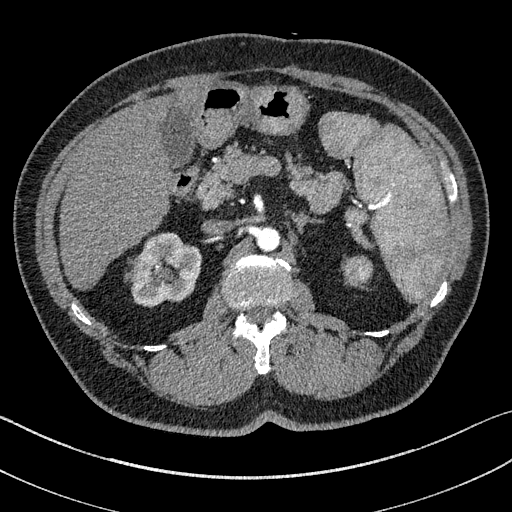
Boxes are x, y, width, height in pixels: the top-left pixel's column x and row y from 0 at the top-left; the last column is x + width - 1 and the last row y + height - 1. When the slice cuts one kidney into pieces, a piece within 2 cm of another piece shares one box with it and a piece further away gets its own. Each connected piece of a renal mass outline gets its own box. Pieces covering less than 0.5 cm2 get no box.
This is axial slice 100 of 195 (slice 1 is the lowest) of an arterial-phase abdominal CT with contrast; each pixel is 0.707 mm and the slice is 1.50 mm thick. Two boxes on this slice (one kidney box and one renal mass box), listed by box centre from the image's left to its right. (1) Box x 126, y 233, width 76, height 74: right kidney (outlined area 3,980 px, about 19.9 cm2). (2) Left renal mass at x 342, y 256, width 31, height 31 (outlined area 726 px, about 3.6 cm2); on this slice it lies more than 1 cm from any kidney outline, but the same outlined renal mass comes within 1 cm of the kidney on another slice.
Scan settings: 100 kVp, I31f reconstruction kernel.